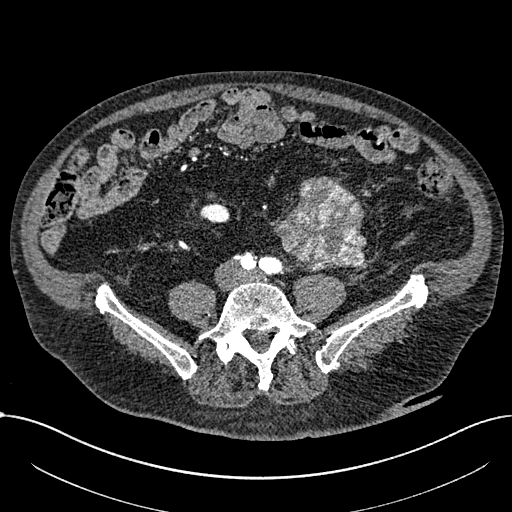
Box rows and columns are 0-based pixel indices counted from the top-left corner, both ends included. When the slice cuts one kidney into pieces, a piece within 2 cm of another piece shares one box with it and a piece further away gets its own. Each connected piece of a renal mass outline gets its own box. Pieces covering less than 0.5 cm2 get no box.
Arterial-phase contrast-enhanced abdominal CT, axial slice 199 of 1059 (counted from the lowest slice); 1.00 mm thick, 0.811 mm per pixel. One kidney box and one renal mass box on this slice; by box centre, from the image's left to its right: (1) Box rows 203–223, columns 200–229: right part of the midline-crossing kidney (outlined area 475 px, about 3.1 cm2). (2) Box rows 177–270, columns 274–366: renal mass (outlined area 6,210 px, about 40.8 cm2); here it is more than 1 cm from any kidney outline, though on another slice the same outlined renal mass lies within 1 cm of the kidney.
Scan settings: 100 kVp, I30f reconstruction kernel.